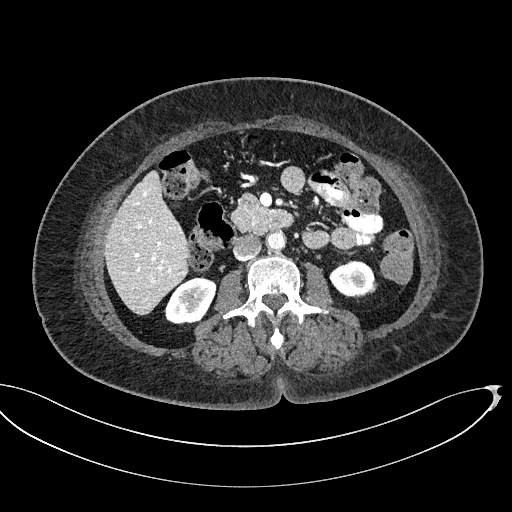
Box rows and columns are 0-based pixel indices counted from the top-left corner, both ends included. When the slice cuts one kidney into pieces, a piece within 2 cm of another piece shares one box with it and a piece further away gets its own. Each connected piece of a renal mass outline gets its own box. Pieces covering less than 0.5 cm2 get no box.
Contrast-enhanced abdominal CT, axial slice 274 of 439 (counted from the lowest slice); 2.00 mm thick, 0.850 mm per pixel. Two kidney boxes on this slice; by box centre, from the image's left to its right: (1) Right kidney, box rows 276–324, columns 164–216 (outlined area 1,808 px, about 13.1 cm2). (2) Box rows 260–298, columns 329–377: left kidney (outlined area 1,372 px, about 9.9 cm2). This slice carries no renal mass outline.
Acquired at 100 kVp and reconstructed with the I40f kernel.